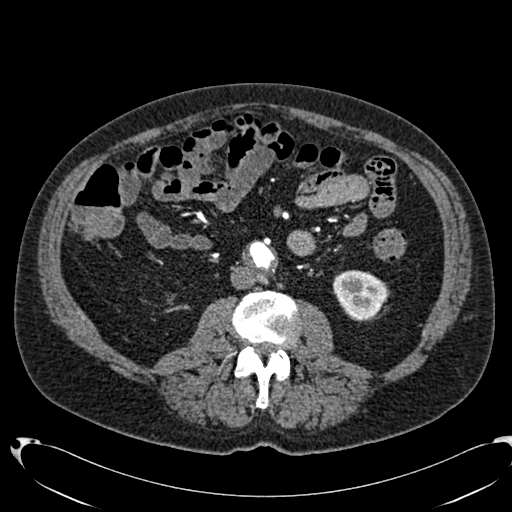
Axial slice 335 of 553 of a contrast-enhanced abdominal CT in the arterial phase (slice 1 is the lowest), 120 kVp, kernel B20f; 1.00 mm slice thickness and 0.773 mm pixels.
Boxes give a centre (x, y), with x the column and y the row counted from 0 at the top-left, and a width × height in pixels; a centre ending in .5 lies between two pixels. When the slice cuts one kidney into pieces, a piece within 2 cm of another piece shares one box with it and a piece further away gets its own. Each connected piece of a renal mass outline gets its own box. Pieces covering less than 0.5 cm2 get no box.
Box centre (359.5, 295), 54 × 51 pixels: left kidney (outlined area 2,068 px, about 12.4 cm2). This slice carries no renal mass outline.